One axial slice (249 of 683, counting up from the lowest) of an arterial-phase abdominal CT acquired with 120 kVp, kernel I30f; each pixel is 0.738 mm and the slice is 1.00 mm thick.
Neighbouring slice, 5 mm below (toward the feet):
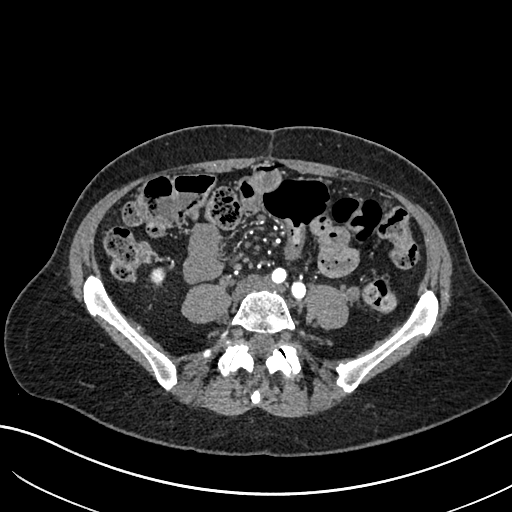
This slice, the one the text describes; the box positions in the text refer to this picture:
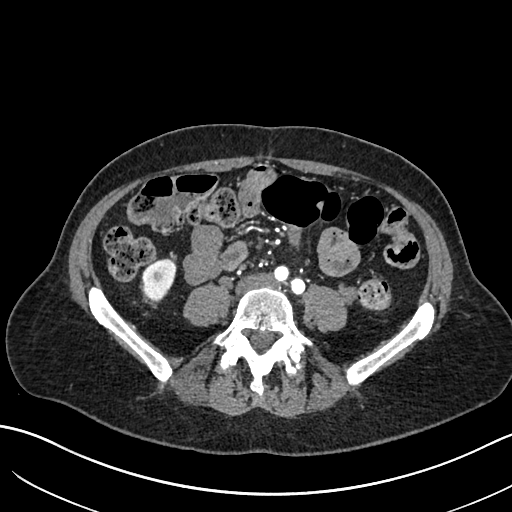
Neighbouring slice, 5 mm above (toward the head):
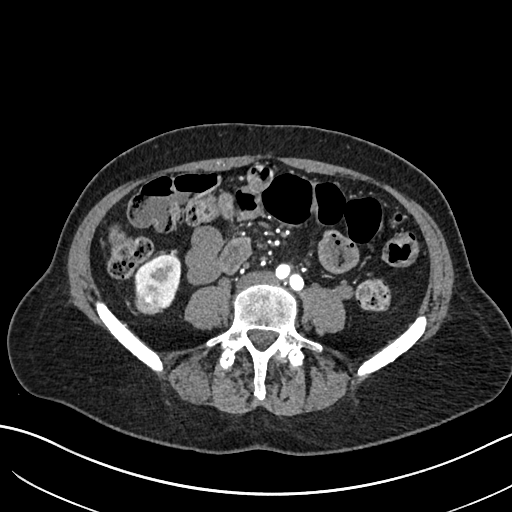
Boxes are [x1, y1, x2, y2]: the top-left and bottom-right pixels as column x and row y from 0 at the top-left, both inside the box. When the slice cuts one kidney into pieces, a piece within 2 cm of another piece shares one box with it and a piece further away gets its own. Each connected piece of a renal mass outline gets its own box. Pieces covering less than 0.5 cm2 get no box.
Two boxes on this slice (one kidney box and one renal mass box), listed by box centre from the image's left to its right. (1) Right renal mass, box [145, 290, 159, 300] (outlined area 121 px, about 0.7 cm2). (2) Right kidney at [141, 258, 176, 301] (outlined area 1,037 px, about 5.7 cm2). This slice lies near the end of the right renal mass toward the feet; the slices 5 mm below and 5 mm above it are shown too, and the boxes mark positions on this slice only.